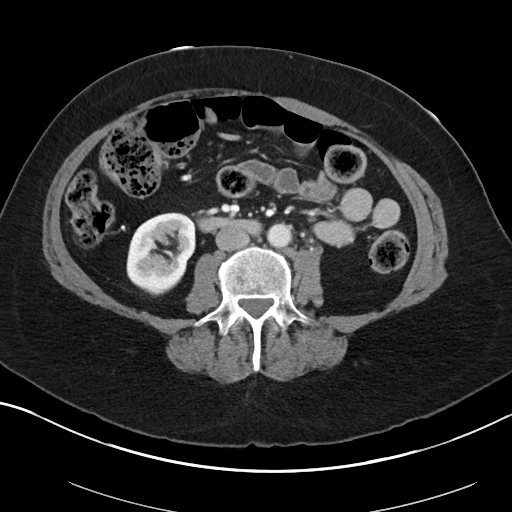
One axial slice (47 of 88, counting up from the lowest) of an arterial-phase abdominal CT acquired with 100 kVp, kernel I40f; each pixel is 0.705 mm and the slice is 5.00 mm thick.
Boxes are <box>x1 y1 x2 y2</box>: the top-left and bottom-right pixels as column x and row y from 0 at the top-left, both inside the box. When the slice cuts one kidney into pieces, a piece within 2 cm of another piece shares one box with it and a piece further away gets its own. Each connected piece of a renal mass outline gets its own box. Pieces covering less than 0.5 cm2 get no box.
Right kidney: <box>126 212 195 295</box> (outlined area 4,338 px, about 21.6 cm2). No renal mass outline on this slice.